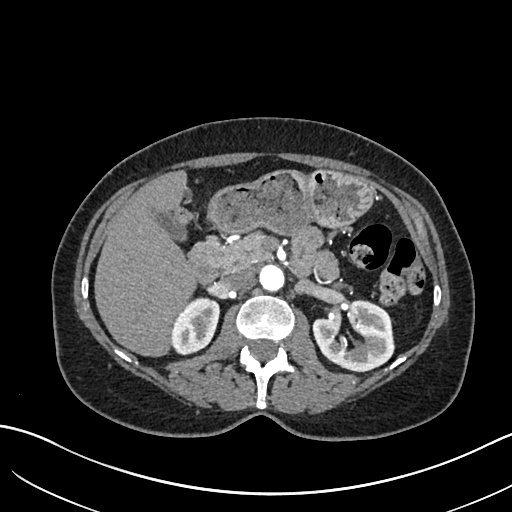
Axial slice 402 of 683 of a contrast-enhanced abdominal CT in the arterial phase (slice 1 is the lowest), 120 kVp, kernel I30f; 1.00 mm slice thickness and 0.738 mm pixels.
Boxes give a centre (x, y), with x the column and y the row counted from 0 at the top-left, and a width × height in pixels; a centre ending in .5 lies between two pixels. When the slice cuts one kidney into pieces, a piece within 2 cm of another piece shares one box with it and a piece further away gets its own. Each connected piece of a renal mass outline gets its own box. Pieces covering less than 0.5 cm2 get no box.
Two kidney boxes on this slice; by box centre, from the image's left to its right: (1) Right kidney in a box with centre (196, 326), 49 × 59 pixels (outlined area 2,043 px, about 11.1 cm2). (2) Left kidney, box centre (353.5, 334.5), 84 × 72 pixels (outlined area 4,233 px, about 23.1 cm2). No renal mass is outlined on this slice.